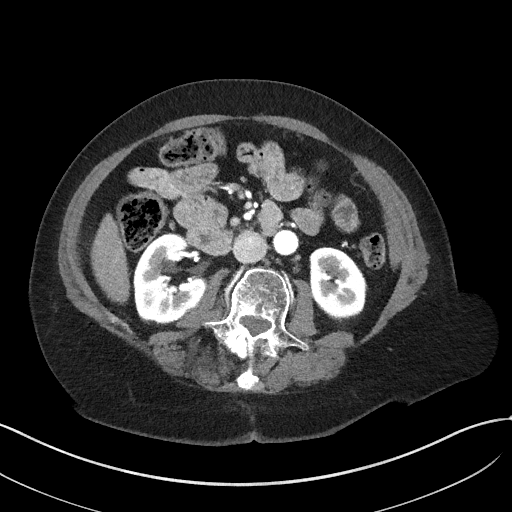
Abdominal CT with intravenous contrast, arterial phase, axial plane, 100 kVp, kernel I41f. Slice 19/50 from the bottom of the scan; thickness 3.00 mm; pixel size 0.758 mm.
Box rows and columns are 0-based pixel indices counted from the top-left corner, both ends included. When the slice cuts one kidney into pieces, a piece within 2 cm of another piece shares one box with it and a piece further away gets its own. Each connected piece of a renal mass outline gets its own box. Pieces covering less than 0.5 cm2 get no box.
Two boxes on this slice (two kidney boxes), listed by box centre from the image's left to its right. (1) Box rows 233–322, columns 133–206: right kidney (outlined area 4,572 px, about 26.3 cm2). (2) Left kidney at rows 246–318, columns 310–367 (outlined area 3,273 px, about 18.8 cm2). No renal mass is outlined on this slice.